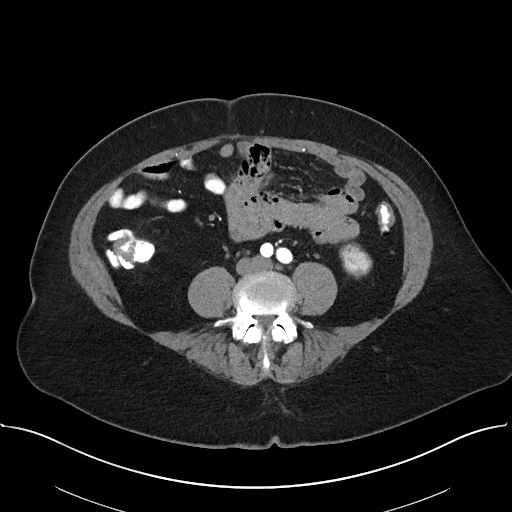
One axial slice (5 of 38, counting up from the lowest) of an arterial-phase abdominal CT acquired with 100 kVp, kernel I40f; each pixel is 0.822 mm and the slice is 5.00 mm thick.
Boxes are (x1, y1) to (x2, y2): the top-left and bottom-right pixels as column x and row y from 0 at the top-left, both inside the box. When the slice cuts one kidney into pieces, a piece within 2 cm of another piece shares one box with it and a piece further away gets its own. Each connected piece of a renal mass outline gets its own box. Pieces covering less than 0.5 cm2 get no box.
Box (339, 242) to (372, 278): left kidney (outlined area 845 px, about 5.7 cm2). No renal mass is outlined on this slice.